Arterial-phase contrast-enhanced abdominal CT, axial slice 210 of 261 (counted from the lowest slice); tube voltage 120 kVp, convolution kernel I30f; slices 2.00 mm thick, 0.939 mm per pixel.
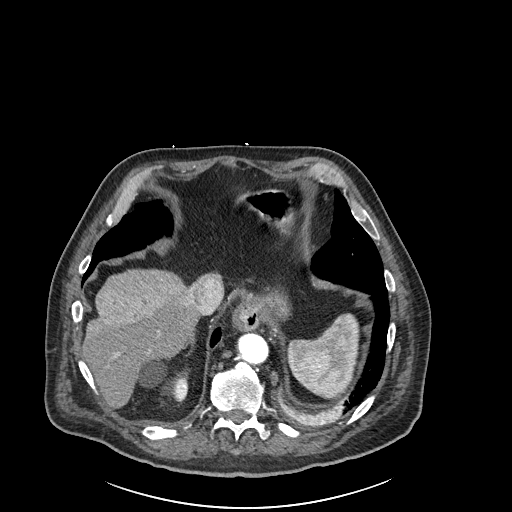
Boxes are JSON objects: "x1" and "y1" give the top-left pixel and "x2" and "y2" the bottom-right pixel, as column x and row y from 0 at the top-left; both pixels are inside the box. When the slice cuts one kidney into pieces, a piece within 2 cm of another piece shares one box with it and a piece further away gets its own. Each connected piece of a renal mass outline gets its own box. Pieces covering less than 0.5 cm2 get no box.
Box {"x1": 138, "y1": 361, "x2": 188, "y2": 400}: right kidney (outlined area 1,008 px, about 8.9 cm2). This slice carries no renal mass outline.